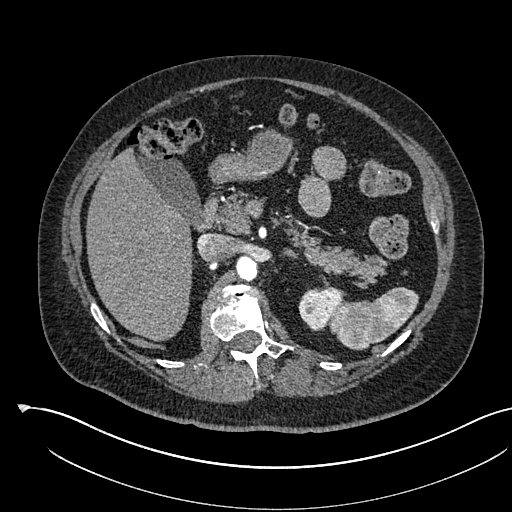
One axial slice (377 of 541, counting up from the lowest) of an arterial-phase abdominal CT acquired with 120 kVp, kernel I30f; each pixel is 0.834 mm and the slice is 1.00 mm thick.
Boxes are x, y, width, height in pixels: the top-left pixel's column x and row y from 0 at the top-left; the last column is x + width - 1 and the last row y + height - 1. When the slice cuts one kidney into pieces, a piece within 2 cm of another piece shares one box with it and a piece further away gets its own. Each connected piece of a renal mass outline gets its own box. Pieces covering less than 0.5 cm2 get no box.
Box x 298, y 287, width 48, height 44: left kidney (outlined area 1,383 px, about 9.6 cm2). No renal mass is outlined on this slice.